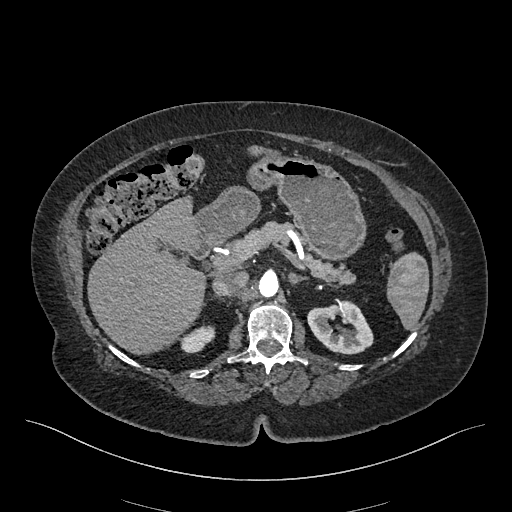
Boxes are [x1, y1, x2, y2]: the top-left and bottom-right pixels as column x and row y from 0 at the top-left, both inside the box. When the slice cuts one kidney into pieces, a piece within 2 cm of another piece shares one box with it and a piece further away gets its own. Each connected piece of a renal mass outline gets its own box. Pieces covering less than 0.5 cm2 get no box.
Arterial-phase contrast-enhanced abdominal CT, axial slice 313 of 548 (counted from the lowest slice); 1.00 mm thick, 0.852 mm per pixel. Two kidney boxes on this slice; by box centre, from the image's left to its right: (1) Right kidney at [180, 325, 215, 353] (outlined area 672 px, about 4.9 cm2). (2) Left kidney, box [307, 299, 373, 354] (outlined area 2,507 px, about 18.2 cm2). This slice carries no renal mass outline.
Tube voltage 120 kVp; convolution kernel I26f.